Axial slice 154 of 304 of a contrast-enhanced abdominal CT in the arterial phase (slice 1 is the lowest), 100 kVp, kernel I30f; 2.00 mm slice thickness and 0.809 mm pixels.
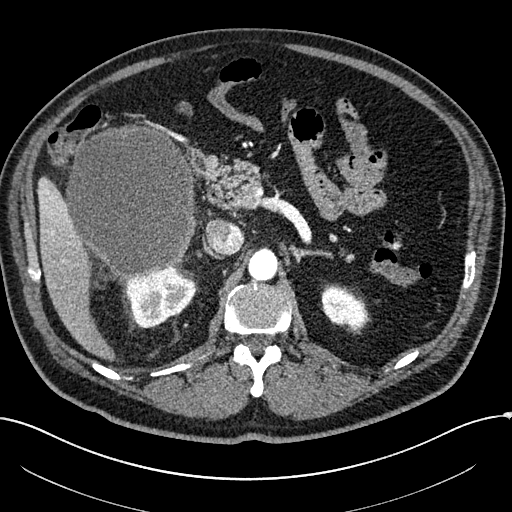
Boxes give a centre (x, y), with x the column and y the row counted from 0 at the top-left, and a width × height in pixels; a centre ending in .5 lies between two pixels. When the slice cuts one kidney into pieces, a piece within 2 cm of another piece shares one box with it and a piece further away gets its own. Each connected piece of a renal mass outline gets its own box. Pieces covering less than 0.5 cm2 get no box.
Two kidney boxes and one renal mass box on this slice; by box centre, from the image's left to its right: (1) Box centre (130, 201), 133 × 155 pixels: right renal mass (outlined area 15,676 px, about 102.5 cm2). (2) Right kidney in a box with centre (159.5, 297), 74 × 63 pixels (outlined area 3,078 px, about 20.1 cm2). (3) Box centre (344.5, 307.5), 48 × 48 pixels: left kidney (outlined area 1,578 px, about 10.3 cm2).